One axial slice (125 of 326, counting up from the lowest) of an arterial-phase abdominal CT acquired with 120 kVp, kernel B31f; each pixel is 0.963 mm and the slice is 2.00 mm thick.
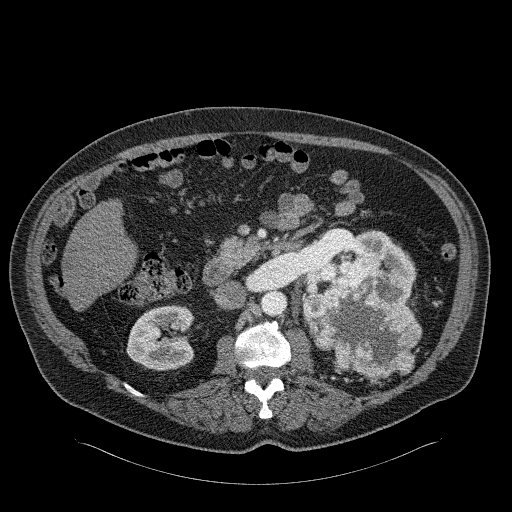
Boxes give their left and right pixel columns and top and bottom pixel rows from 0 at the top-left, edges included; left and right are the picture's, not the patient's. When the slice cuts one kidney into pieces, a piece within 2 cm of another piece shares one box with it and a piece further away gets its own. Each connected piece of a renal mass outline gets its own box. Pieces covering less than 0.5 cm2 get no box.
Boxed on this slice (two kidney boxes and one renal mass box), listed by box centre from the image's left to its right: (1) Box with left 126, top 304, right 195, bottom 370: right kidney (outlined area 3,556 px, about 33.0 cm2). (2) Box with left 305, top 229, right 416, bottom 302: left kidney (outlined area 3,435 px, about 31.8 cm2). (3) Left renal mass, the box with left 302, top 254, right 422, bottom 379 (outlined area 9,115 px, about 84.5 cm2).